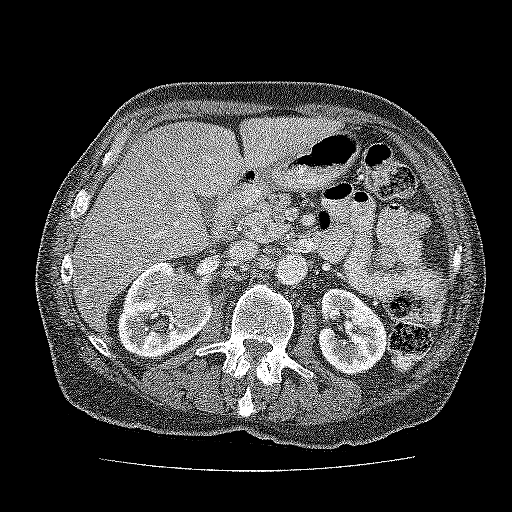
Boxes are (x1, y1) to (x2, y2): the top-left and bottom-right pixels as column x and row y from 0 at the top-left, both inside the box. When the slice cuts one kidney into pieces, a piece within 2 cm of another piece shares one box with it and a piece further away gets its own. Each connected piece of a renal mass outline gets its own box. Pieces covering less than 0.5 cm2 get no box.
This is axial slice 99 of 137 (slice 1 is the lowest) of an abdominal CT with contrast; each pixel is 0.741 mm and the slice is 3.00 mm thick. Three boxes on this slice (two kidney boxes and one renal mass box), listed by box centre from the image's left to its right. (1) Box (117, 264) to (214, 358): kidney (outlined area 4,739 px, about 26.0 cm2). (2) Renal mass from (153, 266) to (209, 313) (outlined area 1,931 px, about 10.6 cm2). (3) Kidney from (317, 288) to (387, 375) (outlined area 4,460 px, about 24.5 cm2).
Tube voltage 120 kVp; convolution kernel FC52.